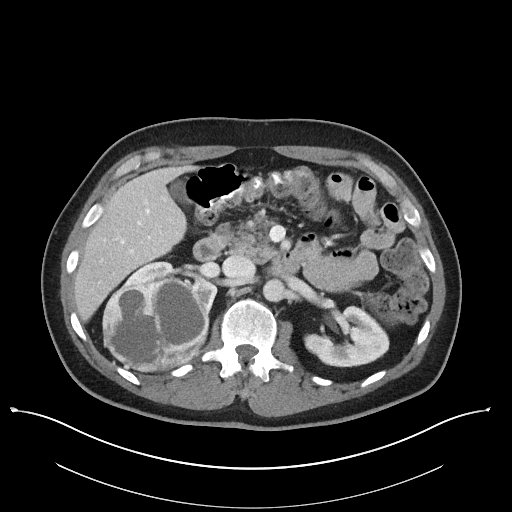
Abdominal CT with intravenous contrast, axial plane, 100 kVp, kernel I40f. Slice 72/101 from the bottom of the scan; thickness 5.00 mm; pixel size 0.879 mm.
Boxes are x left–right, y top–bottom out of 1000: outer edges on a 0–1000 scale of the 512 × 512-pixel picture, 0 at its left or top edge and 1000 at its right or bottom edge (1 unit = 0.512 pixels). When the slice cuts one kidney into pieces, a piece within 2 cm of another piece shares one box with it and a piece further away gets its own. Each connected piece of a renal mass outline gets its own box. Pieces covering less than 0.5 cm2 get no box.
Two kidney boxes and one renal mass box on this slice; by box centre, from the image's left to its right: (1) Box x 199–410, y 543–729 out of 1000: right renal mass (outlined area 8,026 px, about 62.0 cm2). (2) Box x 236–426, y 510–615 out of 1000: right kidney (outlined area 1,663 px, about 12.8 cm2). (3) Left kidney at x 594–762, y 602–719 out of 1000 (outlined area 3,372 px, about 26.0 cm2).